Axial slice 402 of 602 of a contrast-enhanced abdominal CT in the arterial phase (slice 1 is the lowest), 120 kVp, kernel I30f; 1.00 mm slice thickness and 0.799 mm pixels.
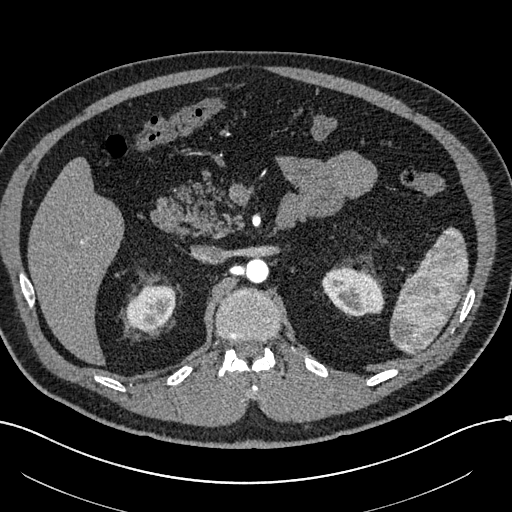
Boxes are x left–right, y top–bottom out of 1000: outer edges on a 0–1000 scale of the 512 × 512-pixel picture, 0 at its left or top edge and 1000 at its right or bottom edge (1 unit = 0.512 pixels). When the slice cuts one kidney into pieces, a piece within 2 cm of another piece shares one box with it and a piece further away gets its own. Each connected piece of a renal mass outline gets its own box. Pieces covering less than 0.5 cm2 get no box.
Boxed on this slice (two kidney boxes), listed by box centre from the image's left to its right: (1) Box x 246–344, y 555–646 out of 1000: right kidney (outlined area 1,819 px, about 11.6 cm2). (2) Left kidney at x 627–752, y 520–619 out of 1000 (outlined area 2,322 px, about 14.8 cm2). No renal mass is outlined on this slice.